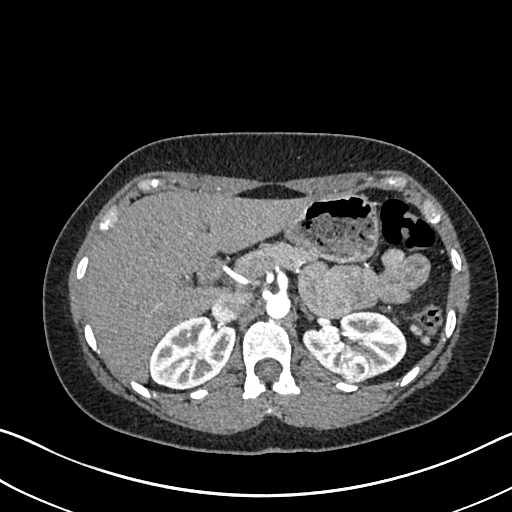
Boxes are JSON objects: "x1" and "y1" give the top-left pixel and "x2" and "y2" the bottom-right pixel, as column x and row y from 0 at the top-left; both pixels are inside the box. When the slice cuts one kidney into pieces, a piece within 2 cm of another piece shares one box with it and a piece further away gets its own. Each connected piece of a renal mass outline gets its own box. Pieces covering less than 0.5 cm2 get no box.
Slice 477/612 of a contrast-enhanced abdominal CT in the arterial phase, counting up from the lowest; pixel size 0.703 mm, slice thickness 1.00 mm. Boxed on this slice (two kidney boxes and one renal mass box), listed by box centre from the image's left to its right: (1) Right kidney at {"x1": 150, "y1": 315, "x2": 234, "y2": 389} (outlined area 4,624 px, about 22.9 cm2). (2) Left renal mass at {"x1": 340, "y1": 354, "x2": 367, "y2": 381} (outlined area 688 px, about 3.4 cm2). (3) Left kidney at {"x1": 302, "y1": 311, "x2": 406, "y2": 378} (outlined area 4,547 px, about 22.5 cm2).
Acquired at 120 kVp and reconstructed with the I30f kernel.